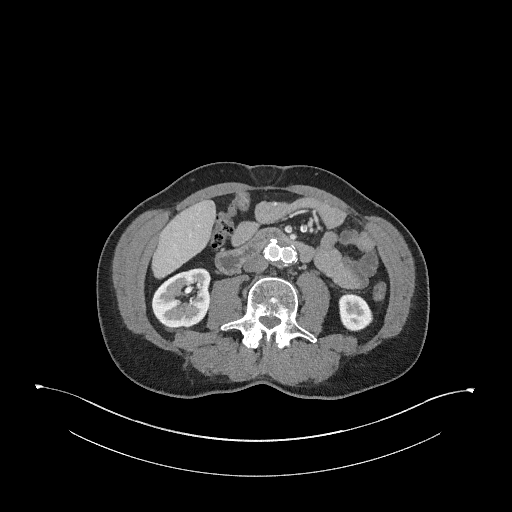
Axial slice 137 of 345 of a contrast-enhanced abdominal CT in the arterial phase (slice 1 is the lowest), 120 kVp, kernel I31f; 2.00 mm slice thickness and 0.977 mm pixels.
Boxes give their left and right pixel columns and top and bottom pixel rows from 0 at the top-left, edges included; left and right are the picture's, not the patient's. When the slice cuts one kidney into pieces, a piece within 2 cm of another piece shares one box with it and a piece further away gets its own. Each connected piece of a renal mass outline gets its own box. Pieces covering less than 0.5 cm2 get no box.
Boxed on this slice (two kidney boxes), listed by box centre from the image's left to its right: (1) Right kidney, the box with left 151, top 267, right 211, bottom 329 (outlined area 2,858 px, about 27.3 cm2). (2) Left kidney, the box with left 338, top 292, right 373, bottom 331 (outlined area 1,062 px, about 10.1 cm2). No renal mass is outlined on this slice.